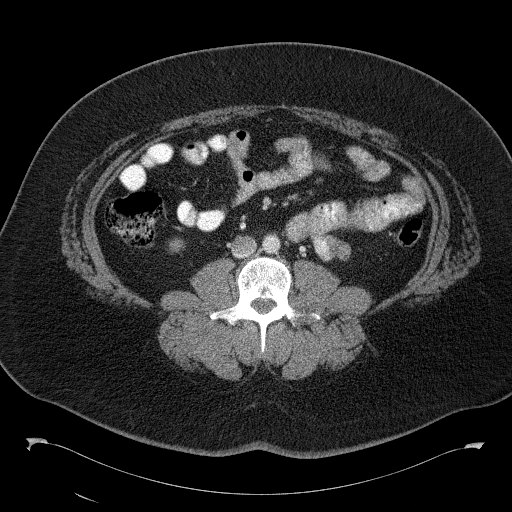
One axial slice (65 of 146, counting up from the lowest) of a contrast-enhanced abdominal CT acquired with 120 kVp, kernel B41f; each pixel is 0.840 mm and the slice is 5.00 mm thick.
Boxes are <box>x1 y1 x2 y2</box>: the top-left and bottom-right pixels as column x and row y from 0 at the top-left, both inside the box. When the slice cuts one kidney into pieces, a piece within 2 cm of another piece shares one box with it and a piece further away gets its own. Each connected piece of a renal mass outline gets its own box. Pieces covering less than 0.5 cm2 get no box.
At <box>169 238 182 251</box>: kidney (outlined area 148 px, about 1.0 cm2). This slice carries no renal mass outline.